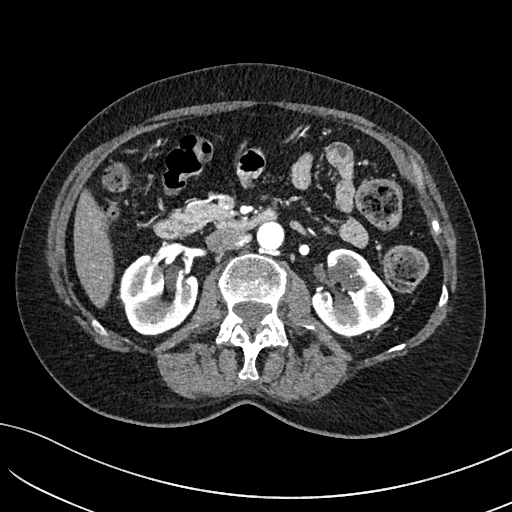
Axial slice 62 of 234 of a contrast-enhanced abdominal CT in the arterial phase (slice 1 is the lowest), 100 kVp, kernel I40f; 2.00 mm slice thickness and 0.699 mm pixels.
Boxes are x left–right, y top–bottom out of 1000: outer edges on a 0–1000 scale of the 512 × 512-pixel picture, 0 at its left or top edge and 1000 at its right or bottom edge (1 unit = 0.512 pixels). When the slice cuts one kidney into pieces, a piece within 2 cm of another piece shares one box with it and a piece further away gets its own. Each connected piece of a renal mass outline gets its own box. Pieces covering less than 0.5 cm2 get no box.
Two boxes on this slice (two kidney boxes), listed by box centre from the image's left to its right. (1) Right kidney, box x 232–389, y 496–656 out of 1000 (outlined area 4,676 px, about 22.9 cm2). (2) Box x 604–771, y 484–658 out of 1000: left kidney (outlined area 5,174 px, about 25.3 cm2). No renal mass is outlined on this slice.